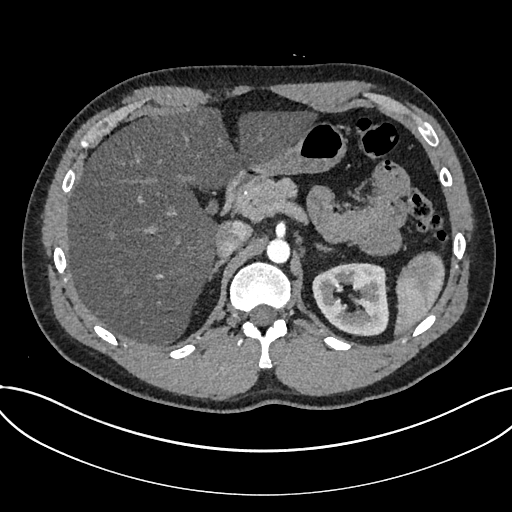
Axial slice 514 of 735 of a contrast-enhanced abdominal CT in the arterial phase (slice 1 is the lowest), 120 kVp, kernel I30f; 1.00 mm slice thickness and 0.789 mm pixels.
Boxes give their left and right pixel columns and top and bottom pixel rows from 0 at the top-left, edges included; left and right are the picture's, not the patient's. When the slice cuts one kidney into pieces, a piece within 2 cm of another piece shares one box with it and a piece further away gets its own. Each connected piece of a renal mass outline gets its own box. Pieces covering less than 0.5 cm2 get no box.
Kidney in the box with left 312, top 262, right 389, bottom 336 (outlined area 4,364 px, about 27.2 cm2). This slice carries no renal mass outline.